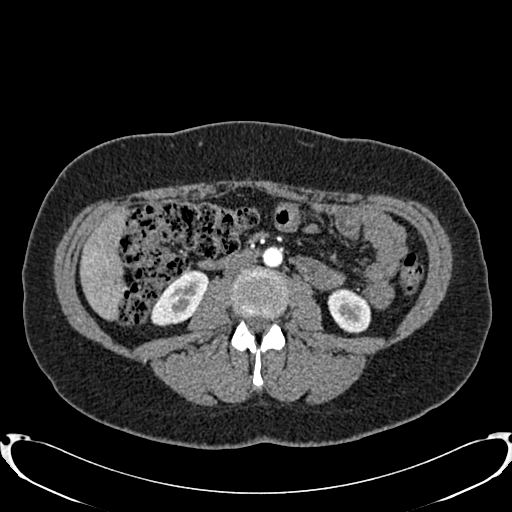
Axial slice 393 of 719 of a contrast-enhanced abdominal CT in the arterial phase (slice 1 is the lowest), 120 kVp, kernel B20f; 1.00 mm slice thickness and 0.766 mm pixels.
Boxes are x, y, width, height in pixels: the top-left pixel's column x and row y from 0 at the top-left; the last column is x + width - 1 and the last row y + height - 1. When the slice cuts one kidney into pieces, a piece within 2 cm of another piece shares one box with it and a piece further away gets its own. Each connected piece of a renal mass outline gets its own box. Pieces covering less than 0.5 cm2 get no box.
Two kidney boxes on this slice; by box centre, from the image's left to its right: (1) Box x 150, y 270, width 59, height 57: right kidney (outlined area 2,092 px, about 12.3 cm2). (2) Left kidney, box x 327, y 288, width 45, height 46 (outlined area 1,514 px, about 8.9 cm2). No renal mass outline on this slice.